One axial slice (116 of 302, counting up from the lowest) of an arterial-phase abdominal CT acquired with 100 kVp, kernel I30f; each pixel is 0.875 mm and the slice is 5.00 mm thick.
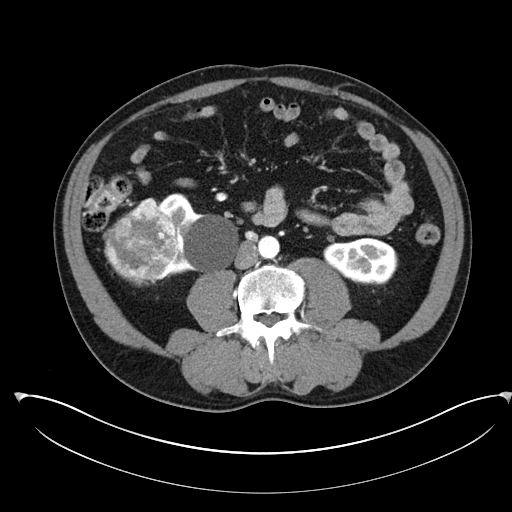
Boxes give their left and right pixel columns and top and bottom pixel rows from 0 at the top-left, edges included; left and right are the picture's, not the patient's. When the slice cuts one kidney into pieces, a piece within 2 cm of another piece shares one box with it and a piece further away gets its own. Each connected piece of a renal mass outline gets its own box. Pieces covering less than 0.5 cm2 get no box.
Two kidney boxes and one renal mass box on this slice; by box centre, from the image's left to its right: (1) Right renal mass in the box with left 103, top 197, right 177, bottom 286 (outlined area 4,610 px, about 35.3 cm2). (2) Box with left 158, top 193, right 239, bottom 279: right kidney (outlined area 4,052 px, about 31.0 cm2). (3) Left kidney, the box with left 323, top 237, right 397, bottom 285 (outlined area 2,665 px, about 20.4 cm2).